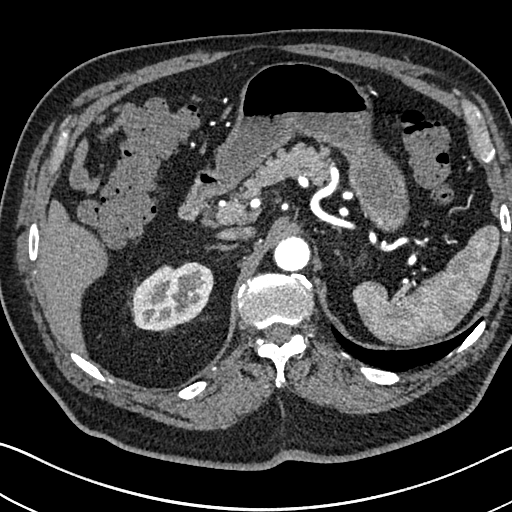
Arterial-phase contrast-enhanced abdominal CT, axial slice 524 of 705 (counted from the lowest slice); tube voltage 120 kVp, convolution kernel I30f; slices 1.00 mm thick, 0.703 mm per pixel.
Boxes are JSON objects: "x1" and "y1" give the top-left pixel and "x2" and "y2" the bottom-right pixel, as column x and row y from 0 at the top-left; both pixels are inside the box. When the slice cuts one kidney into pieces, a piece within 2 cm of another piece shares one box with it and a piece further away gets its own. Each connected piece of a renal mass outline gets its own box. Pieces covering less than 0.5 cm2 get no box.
Right kidney at {"x1": 133, "y1": 262, "x2": 213, "y2": 331} (outlined area 4,222 px, about 20.9 cm2). No renal mass is outlined on this slice.